Axial slice 404 of 665 of a contrast-enhanced abdominal CT in the arterial phase (slice 1 is the lowest), 100 kVp, kernel I26f; 1.00 mm slice thickness and 0.828 mm pixels.
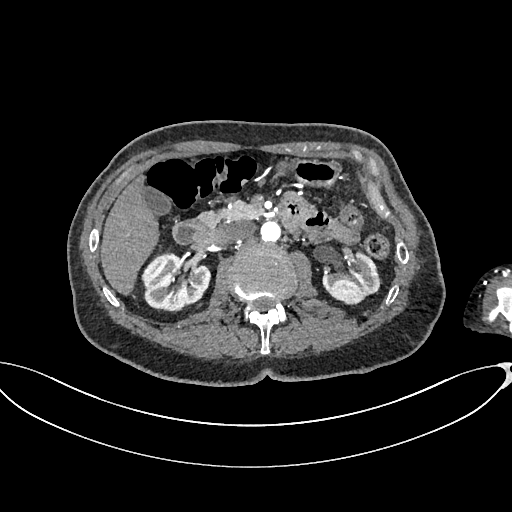
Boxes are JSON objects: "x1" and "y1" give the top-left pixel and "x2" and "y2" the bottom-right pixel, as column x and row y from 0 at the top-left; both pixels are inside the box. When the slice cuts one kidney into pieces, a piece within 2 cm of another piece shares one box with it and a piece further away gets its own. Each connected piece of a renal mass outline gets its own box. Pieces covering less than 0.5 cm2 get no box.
Boxed on this slice (two kidney boxes), listed by box centre from the image's left to its right: (1) Right kidney, box {"x1": 141, "y1": 252, "x2": 211, "y2": 312} (outlined area 3,160 px, about 21.7 cm2). (2) Left kidney, box {"x1": 322, "y1": 253, "x2": 381, "y2": 305} (outlined area 2,092 px, about 14.3 cm2). No renal mass is outlined on this slice.